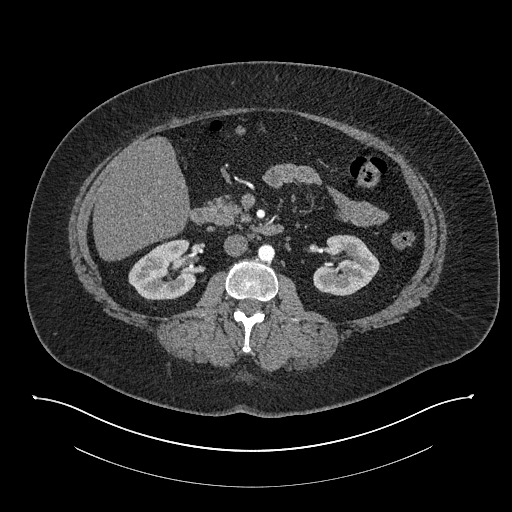
Axial slice 443 of 673 of a contrast-enhanced abdominal CT in the arterial phase (slice 1 is the lowest), 140 kVp, kernel I30f; 1.00 mm slice thickness and 0.957 mm pixels.
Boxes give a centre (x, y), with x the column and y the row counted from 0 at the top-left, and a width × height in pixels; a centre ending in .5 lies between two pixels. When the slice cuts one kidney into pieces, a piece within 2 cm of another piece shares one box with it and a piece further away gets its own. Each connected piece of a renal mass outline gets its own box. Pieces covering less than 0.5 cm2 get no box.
Two boxes on this slice (two kidney boxes), listed by box centre from the image's left to its right. (1) Right kidney in a box with centre (162, 269.5), 69 × 62 pixels (outlined area 3,093 px, about 28.3 cm2). (2) Box centre (346, 264.5), 67 × 62 pixels: left kidney (outlined area 2,914 px, about 26.7 cm2). No renal mass outline on this slice.